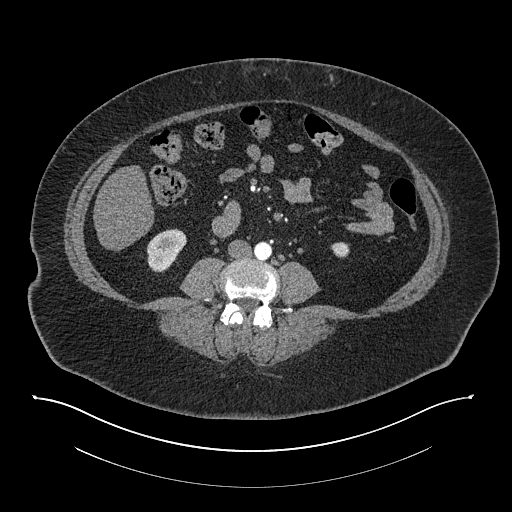
Abdominal CT with intravenous contrast, arterial phase, axial plane, 140 kVp, kernel I30f. Slice 344/673 from the bottom of the scan; thickness 1.00 mm; pixel size 0.957 mm.
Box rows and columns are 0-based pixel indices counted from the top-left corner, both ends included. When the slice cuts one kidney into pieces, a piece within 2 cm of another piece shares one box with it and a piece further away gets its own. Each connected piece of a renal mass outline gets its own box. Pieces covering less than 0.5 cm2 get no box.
Two boxes on this slice (two kidney boxes), listed by box centre from the image's left to its right. (1) Right kidney, box rows 228–272, columns 146–186 (outlined area 1,246 px, about 11.4 cm2). (2) Left kidney at rows 242–257, columns 331–349 (outlined area 237 px, about 2.2 cm2). This slice carries no renal mass outline.